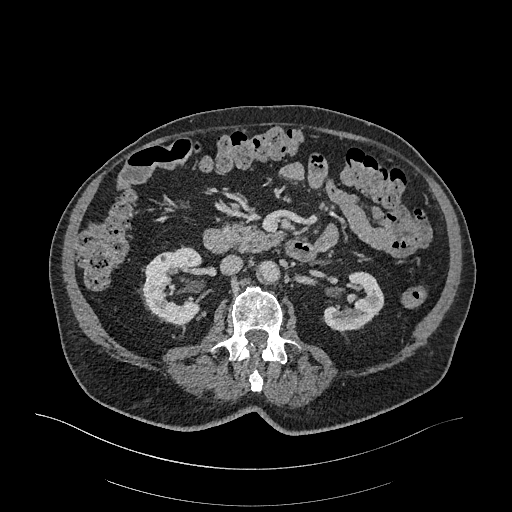
Arterial-phase contrast-enhanced abdominal CT, axial slice 156 of 470 (counted from the lowest slice); tube voltage 120 kVp, convolution kernel I26f; slices 1.00 mm thick, 0.938 mm per pixel.
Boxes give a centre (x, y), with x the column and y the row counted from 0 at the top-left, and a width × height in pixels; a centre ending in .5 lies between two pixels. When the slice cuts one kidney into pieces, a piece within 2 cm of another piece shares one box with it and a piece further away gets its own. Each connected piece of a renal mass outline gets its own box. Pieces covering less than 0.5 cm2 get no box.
Two kidney boxes on this slice; by box centre, from the image's left to its right: (1) Right kidney, box centre (170, 285.5), 63 × 80 pixels (outlined area 3,462 px, about 30.4 cm2). (2) Left kidney, box centre (353.5, 301.5), 62 × 62 pixels (outlined area 2,288 px, about 20.1 cm2). No renal mass outline on this slice.